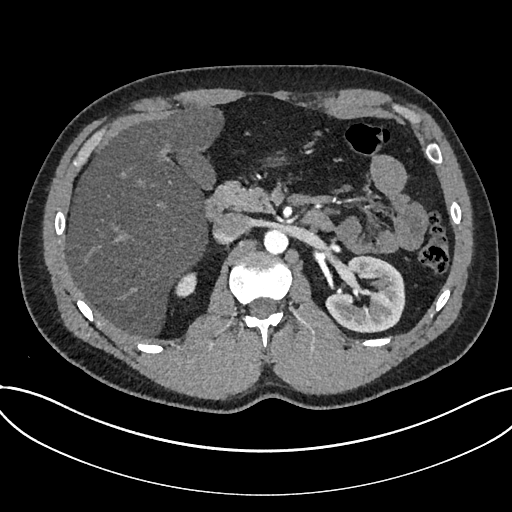
Abdominal CT with intravenous contrast, arterial phase, axial plane, 120 kVp, kernel I30f. Slice 471/735 from the bottom of the scan; thickness 1.00 mm; pixel size 0.789 mm.
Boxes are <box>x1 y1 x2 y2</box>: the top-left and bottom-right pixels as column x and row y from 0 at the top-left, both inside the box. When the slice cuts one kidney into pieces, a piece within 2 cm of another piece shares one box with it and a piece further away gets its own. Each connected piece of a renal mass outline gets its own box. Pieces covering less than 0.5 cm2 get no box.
Boxed on this slice (two kidney boxes), listed by box centre from the image's left to its right: (1) Kidney at <box>175 272 196 297</box> (outlined area 417 px, about 2.6 cm2). (2) At <box>325 255 405 333</box>: kidney (outlined area 4,504 px, about 28.0 cm2). No renal mass outline on this slice.